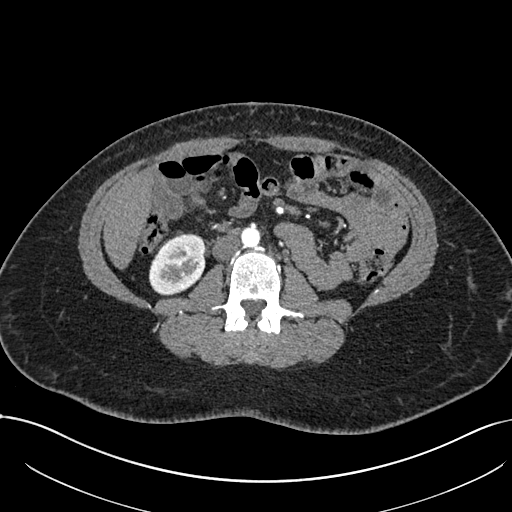
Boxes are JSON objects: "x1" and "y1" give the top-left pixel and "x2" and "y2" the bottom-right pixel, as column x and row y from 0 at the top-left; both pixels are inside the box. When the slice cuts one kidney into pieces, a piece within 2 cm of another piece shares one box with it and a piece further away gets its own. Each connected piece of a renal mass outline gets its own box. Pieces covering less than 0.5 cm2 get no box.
Slice 349/738 of a contrast-enhanced abdominal CT in the arterial phase, counting up from the lowest; pixel size 0.789 mm, slice thickness 1.00 mm. Right kidney, box {"x1": 148, "y1": 233, "x2": 205, "y2": 294} (outlined area 2,675 px, about 16.7 cm2). This slice carries no renal mass outline.
Acquired at 120 kVp and reconstructed with the I30f kernel.